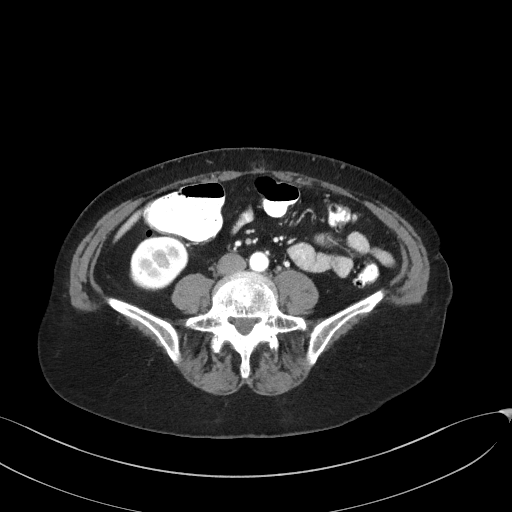
Arterial-phase contrast-enhanced abdominal CT, axial slice 68 of 129 (counted from the lowest slice); tube voltage 100 kVp, convolution kernel I41f; slices 3.00 mm thick, 0.779 mm per pixel.
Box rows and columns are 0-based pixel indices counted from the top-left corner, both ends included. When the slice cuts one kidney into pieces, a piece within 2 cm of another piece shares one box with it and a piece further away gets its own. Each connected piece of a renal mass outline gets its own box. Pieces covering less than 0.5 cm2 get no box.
Right kidney at rows 235–291, columns 129–188 (outlined area 2,558 px, about 15.5 cm2). No renal mass is outlined on this slice.